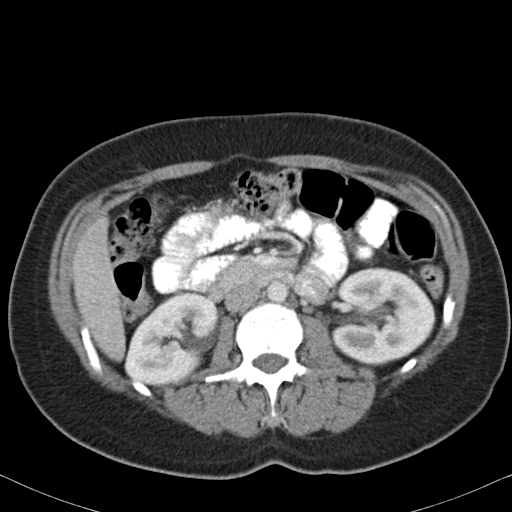
Arterial-phase contrast-enhanced abdominal CT, axial slice 58 of 82 (counted from the lowest slice); tube voltage 120 kVp, convolution kernel B31f; slices 5.00 mm thick, 0.625 mm per pixel.
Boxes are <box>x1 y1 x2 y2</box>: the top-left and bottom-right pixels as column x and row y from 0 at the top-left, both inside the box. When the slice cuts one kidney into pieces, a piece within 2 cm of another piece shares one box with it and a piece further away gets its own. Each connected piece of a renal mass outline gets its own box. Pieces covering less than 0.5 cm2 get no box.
Two kidney boxes on this slice; by box centre, from the image's left to its right: (1) At <box>124 292 217 386</box>: right kidney (outlined area 6,265 px, about 24.5 cm2). (2) Left kidney at <box>331 267 434 365</box> (outlined area 7,777 px, about 30.4 cm2). This slice carries no renal mass outline.